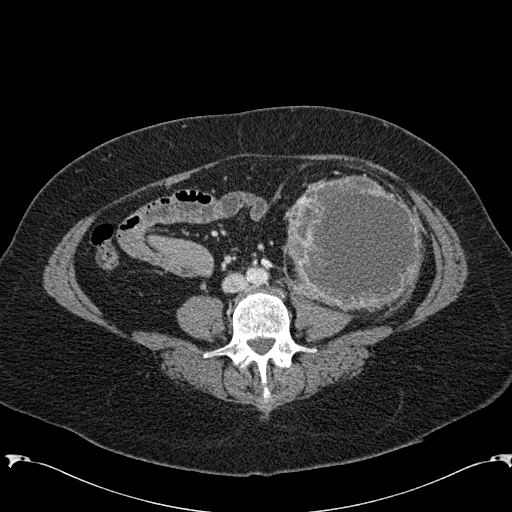
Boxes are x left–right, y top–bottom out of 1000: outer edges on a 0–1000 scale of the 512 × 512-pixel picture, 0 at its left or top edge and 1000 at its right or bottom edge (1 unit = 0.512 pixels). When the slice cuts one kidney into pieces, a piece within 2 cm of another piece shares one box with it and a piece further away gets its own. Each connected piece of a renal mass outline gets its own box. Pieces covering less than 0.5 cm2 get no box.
This is axial slice 52 of 285 (slice 1 is the lowest) of an arterial-phase abdominal CT with contrast; each pixel is 0.762 mm and the slice is 2.00 mm thick. Left renal mass at x 559–828, y 342–611 out of 1000 (outlined area 14,922 px, about 86.6 cm2); no kidney is outlined on this slice, but the same outlined renal mass comes within 1 cm of the kidney on another slice.
Scan settings: 120 kVp, B31f reconstruction kernel.